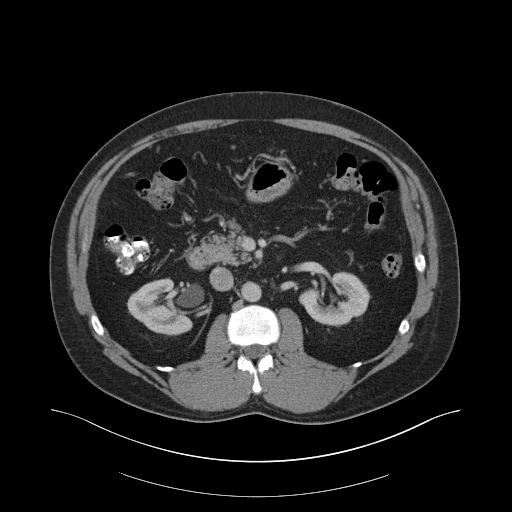
Abdominal CT with intravenous contrast, arterial phase, axial plane, 140 kVp, kernel B30f. Slice 110/159 from the bottom of the scan; thickness 3.00 mm; pixel size 0.977 mm.
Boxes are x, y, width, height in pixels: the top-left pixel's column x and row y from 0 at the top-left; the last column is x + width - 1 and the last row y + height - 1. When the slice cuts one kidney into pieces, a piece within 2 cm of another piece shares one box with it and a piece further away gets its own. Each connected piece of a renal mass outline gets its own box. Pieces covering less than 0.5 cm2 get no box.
Two kidney boxes on this slice; by box centre, from the image's left to its right: (1) Box x 127, y 278, width 66, height 58: right kidney (outlined area 2,592 px, about 24.7 cm2). (2) Box x 299, y 271, width 72, height 56: left kidney (outlined area 2,572 px, about 24.5 cm2). No renal mass outline on this slice.